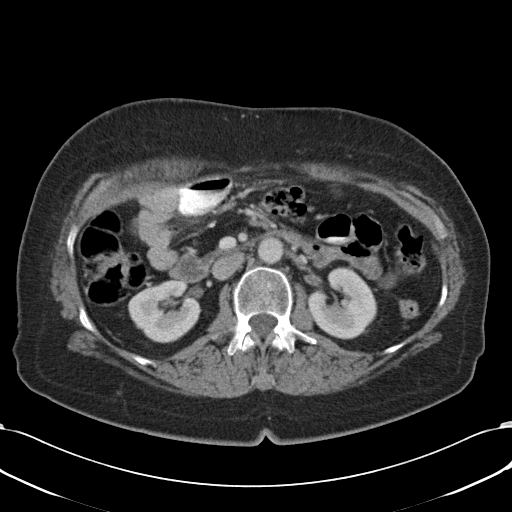
One axial slice (60 of 90, counting up from the lowest) of a contrast-enhanced abdominal CT acquired with 120 kVp, kernel B31f; each pixel is 0.707 mm and the slice is 5.00 mm thick.
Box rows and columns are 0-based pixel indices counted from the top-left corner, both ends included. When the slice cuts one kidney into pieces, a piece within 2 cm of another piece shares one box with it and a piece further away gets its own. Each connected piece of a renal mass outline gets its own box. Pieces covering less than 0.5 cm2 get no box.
Boxed on this slice (two kidney boxes), listed by box centre from the image's left to its right: (1) Right kidney at rows 281–343, columns 128–201 (outlined area 3,329 px, about 16.6 cm2). (2) Left kidney at rows 267–338, columns 309–376 (outlined area 3,326 px, about 16.6 cm2). This slice carries no renal mass outline.